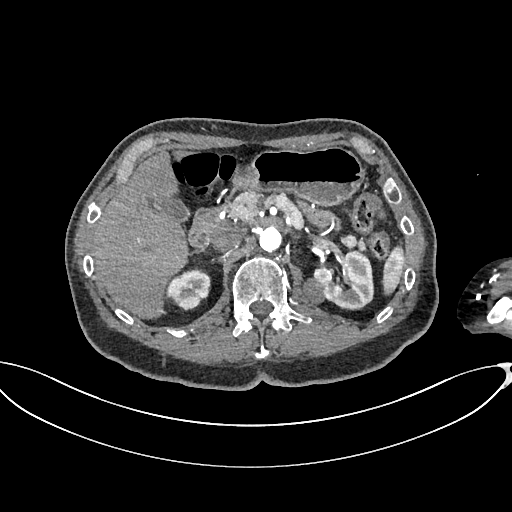
Axial slice 445 of 665 of a contrast-enhanced abdominal CT in the arterial phase (slice 1 is the lowest), 100 kVp, kernel I26f; 1.00 mm slice thickness and 0.828 mm pixels.
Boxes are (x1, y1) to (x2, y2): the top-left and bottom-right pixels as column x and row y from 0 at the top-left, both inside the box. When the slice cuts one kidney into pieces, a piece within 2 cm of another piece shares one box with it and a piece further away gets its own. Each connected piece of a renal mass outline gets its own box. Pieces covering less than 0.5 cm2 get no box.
Two kidney boxes and one renal mass box on this slice; by box centre, from the image's left to its right: (1) Right kidney, box (166, 270) to (210, 310) (outlined area 1,370 px, about 9.4 cm2). (2) Left renal mass, box (293, 277) to (324, 306) (outlined area 634 px, about 4.3 cm2). (3) Left kidney from (313, 250) to (372, 307) (outlined area 2,439 px, about 16.7 cm2).